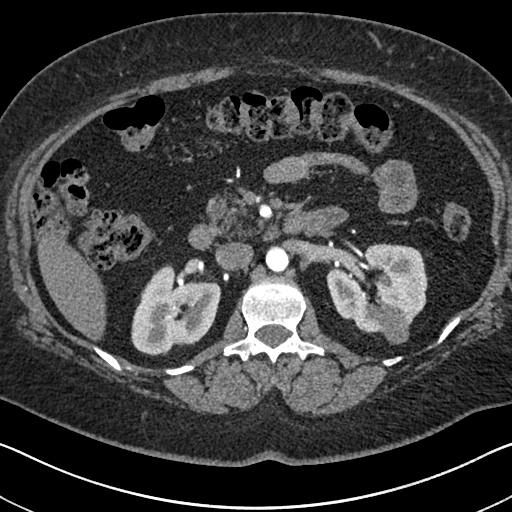
Arterial-phase contrast-enhanced abdominal CT, axial slice 421 of 591 (counted from the lowest slice); tube voltage 140 kVp, convolution kernel I30f; slices 1.00 mm thick, 0.703 mm per pixel.
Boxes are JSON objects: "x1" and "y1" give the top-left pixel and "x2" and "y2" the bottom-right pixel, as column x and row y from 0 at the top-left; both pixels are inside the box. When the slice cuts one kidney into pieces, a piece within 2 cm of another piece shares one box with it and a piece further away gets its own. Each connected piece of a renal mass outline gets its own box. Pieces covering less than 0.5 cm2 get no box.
Two kidney boxes and one renal mass box on this slice; by box centre, from the image's left to its right: (1) Right kidney at {"x1": 131, "y1": 264, "x2": 220, "y2": 355} (outlined area 5,781 px, about 28.6 cm2). (2) Left kidney at {"x1": 326, "y1": 243, "x2": 428, "y2": 333} (outlined area 6,177 px, about 30.5 cm2). (3) Box {"x1": 380, "y1": 305, "x2": 410, "y2": 344}: left renal mass (outlined area 935 px, about 4.6 cm2).